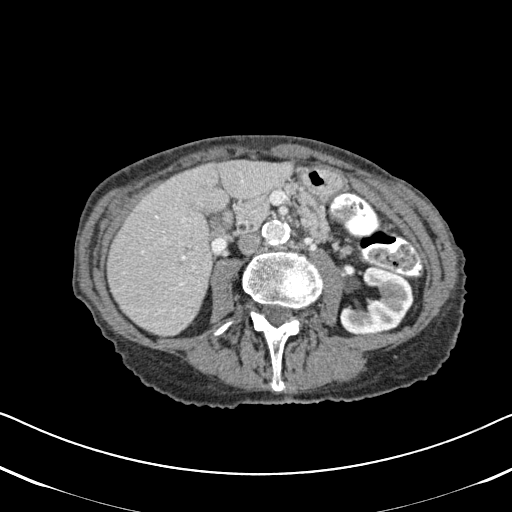
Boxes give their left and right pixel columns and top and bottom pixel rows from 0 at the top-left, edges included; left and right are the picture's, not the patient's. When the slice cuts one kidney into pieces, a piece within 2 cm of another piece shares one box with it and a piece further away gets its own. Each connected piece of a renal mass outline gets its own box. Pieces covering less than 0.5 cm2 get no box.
Arterial-phase contrast-enhanced abdominal CT, axial slice 281 of 620 (counted from the lowest slice); 2.00 mm thick, 0.637 mm per pixel. Left kidney in the box with left 340, top 266, right 413, bottom 335 (outlined area 3,247 px, about 13.2 cm2). No renal mass outline on this slice.
Acquired at 120 kVp and reconstructed with the B31f kernel.